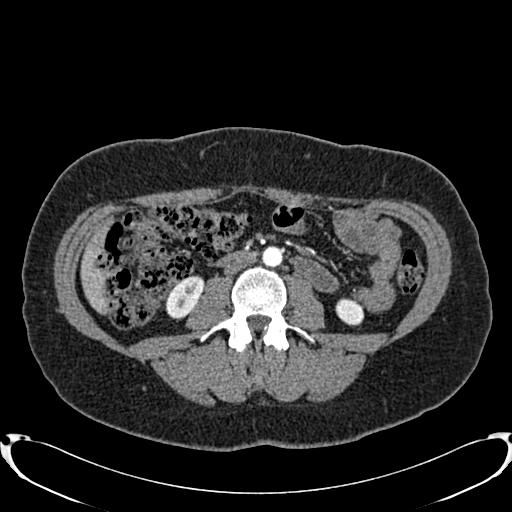
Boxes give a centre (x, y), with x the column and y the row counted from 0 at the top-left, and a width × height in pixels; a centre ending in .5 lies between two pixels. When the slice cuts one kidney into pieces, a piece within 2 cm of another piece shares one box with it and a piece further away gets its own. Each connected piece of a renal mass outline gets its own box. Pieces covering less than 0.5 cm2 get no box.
Slice 379/719 of a contrast-enhanced abdominal CT in the arterial phase, counting up from the lowest; pixel size 0.766 mm, slice thickness 1.00 mm. Two boxes on this slice (two kidney boxes), listed by box centre from the image's left to its right. (1) Right kidney, box centre (183.5, 298), 40 × 45 pixels (outlined area 1,179 px, about 6.9 cm2). (2) Left kidney in a box with centre (349, 311.5), 29 × 28 pixels (outlined area 627 px, about 3.7 cm2). This slice carries no renal mass outline.
Tube voltage 120 kVp; convolution kernel B20f.